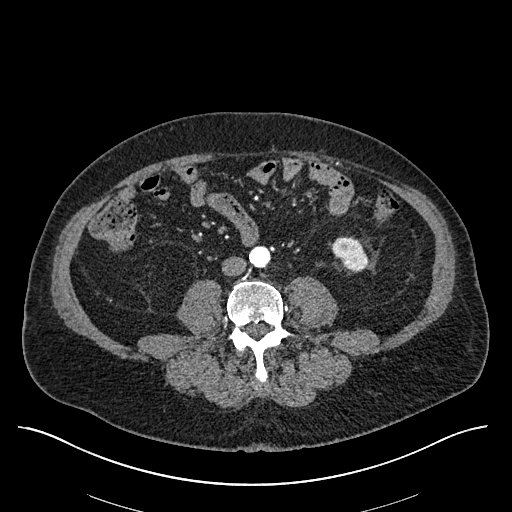
Axial slice 209 of 670 of a contrast-enhanced abdominal CT in the arterial phase (slice 1 is the lowest), 120 kVp, kernel I30f; 1.00 mm slice thickness and 0.861 mm pixels.
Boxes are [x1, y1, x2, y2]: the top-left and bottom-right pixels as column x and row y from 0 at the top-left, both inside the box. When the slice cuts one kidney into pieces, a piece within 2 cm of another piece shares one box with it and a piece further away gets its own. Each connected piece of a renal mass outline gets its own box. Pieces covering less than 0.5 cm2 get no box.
Box [331, 237, 369, 272]: left kidney (outlined area 929 px, about 6.9 cm2). This slice carries no renal mass outline.